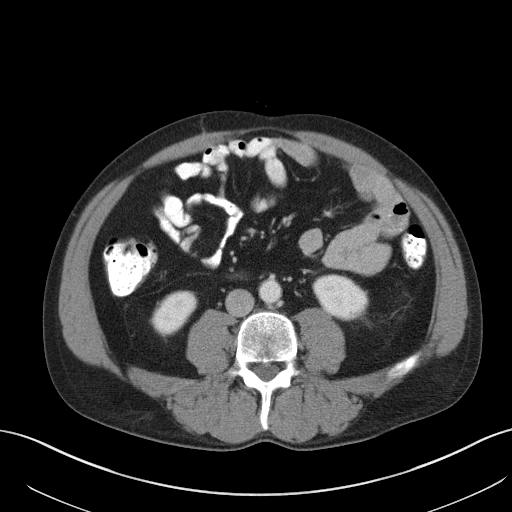
Axial slice 48 of 131 of a contrast-enhanced abdominal CT in the arterial phase (slice 1 is the lowest), 120 kVp, kernel B41f; 5.00 mm slice thickness and 0.760 mm pixels.
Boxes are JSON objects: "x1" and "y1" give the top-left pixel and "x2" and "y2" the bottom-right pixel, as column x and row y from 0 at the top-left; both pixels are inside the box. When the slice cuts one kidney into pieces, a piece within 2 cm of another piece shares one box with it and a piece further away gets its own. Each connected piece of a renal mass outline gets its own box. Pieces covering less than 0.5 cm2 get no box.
Boxed on this slice (two kidney boxes), listed by box centre from the image's left to its right: (1) Right kidney, box {"x1": 151, "y1": 291, "x2": 196, "y2": 335} (outlined area 1,384 px, about 8.0 cm2). (2) Left kidney, box {"x1": 313, "y1": 274, "x2": 367, "y2": 320} (outlined area 1,864 px, about 10.8 cm2). No renal mass is outlined on this slice.